Axial slice 589 of 735 of a contrast-enhanced abdominal CT in the arterial phase (slice 1 is the lowest), 120 kVp, kernel I30f; 1.00 mm slice thickness and 0.789 mm pixels.
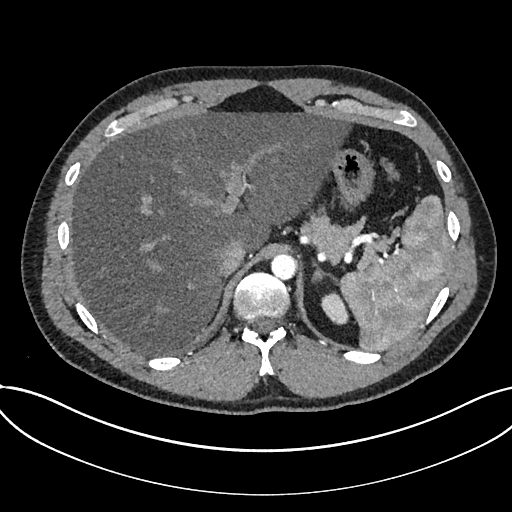
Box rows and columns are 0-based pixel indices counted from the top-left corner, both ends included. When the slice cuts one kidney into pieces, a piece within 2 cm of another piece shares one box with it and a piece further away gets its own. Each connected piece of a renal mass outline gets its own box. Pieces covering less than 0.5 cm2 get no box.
Box rows 291–324, columns 321–348: kidney (outlined area 646 px, about 4.0 cm2). No renal mass outline on this slice.